One axial slice (135 of 316, counting up from the lowest) of an arterial-phase abdominal CT acquired with 100 kVp, kernel I40f; each pixel is 0.840 mm and the slice is 2.00 mm thick.
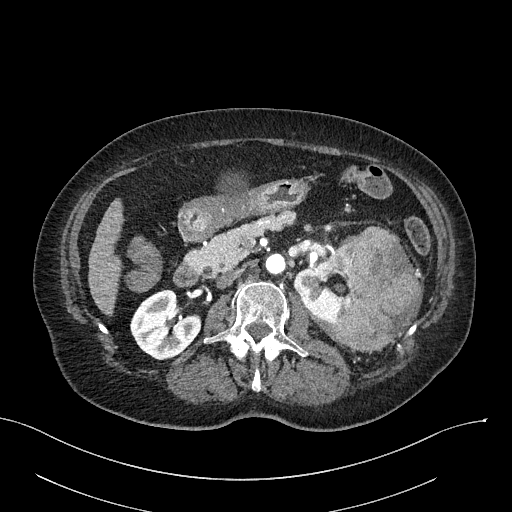
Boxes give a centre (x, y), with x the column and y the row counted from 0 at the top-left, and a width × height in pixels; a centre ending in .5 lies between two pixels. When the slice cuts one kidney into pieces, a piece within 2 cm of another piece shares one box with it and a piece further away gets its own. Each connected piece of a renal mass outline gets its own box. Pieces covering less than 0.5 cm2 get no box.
Three boxes on this slice (two kidney boxes and one renal mass box), listed by box centre from the image's left to its right. (1) Right kidney in a box with centre (165, 324.5), 71 × 72 pixels (outlined area 3,446 px, about 24.3 cm2). (2) Left kidney in a box with centre (321, 285), 57 × 81 pixels (outlined area 2,626 px, about 18.5 cm2). (3) Left renal mass, box centre (376.5, 288), 92 × 125 pixels (outlined area 8,082 px, about 57.0 cm2).